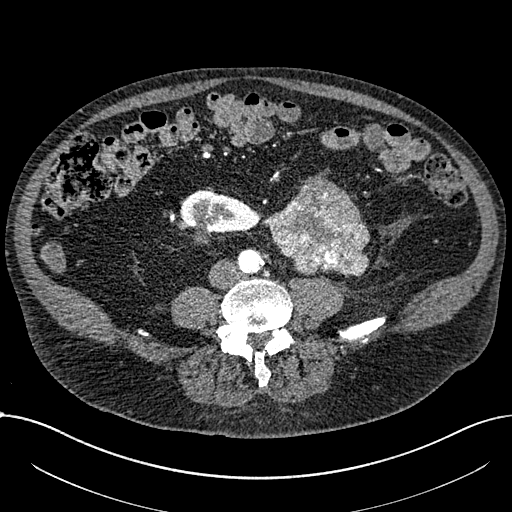
One axial slice (234 of 1059, counting up from the lowest) of an arterial-phase abdominal CT acquired with 100 kVp, kernel I30f; each pixel is 0.811 mm and the slice is 1.00 mm thick.
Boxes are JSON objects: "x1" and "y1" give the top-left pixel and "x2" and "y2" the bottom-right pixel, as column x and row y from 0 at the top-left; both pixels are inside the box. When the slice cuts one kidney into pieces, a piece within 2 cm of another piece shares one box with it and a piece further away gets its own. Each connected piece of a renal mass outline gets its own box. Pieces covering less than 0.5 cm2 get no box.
One kidney box and one renal mass box on this slice; by box centre, from the image's left to its right: (1) Right part of the midline-crossing kidney, box {"x1": 176, "y1": 190, "x2": 259, "y2": 244} (outlined area 2,822 px, about 18.5 cm2). (2) Box {"x1": 264, "y1": 174, "x2": 370, "y2": 275}: renal mass (outlined area 7,183 px, about 47.2 cm2).